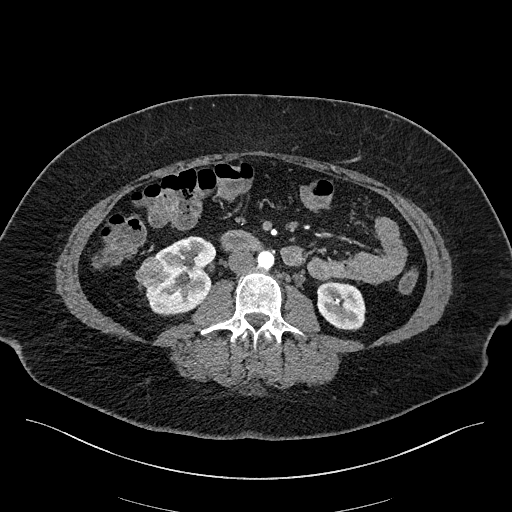
Axial slice 76 of 270 of a contrast-enhanced abdominal CT in the arterial phase (slice 1 is the lowest), 100 kVp, kernel I40f; 2.00 mm slice thickness and 0.855 mm pixels.
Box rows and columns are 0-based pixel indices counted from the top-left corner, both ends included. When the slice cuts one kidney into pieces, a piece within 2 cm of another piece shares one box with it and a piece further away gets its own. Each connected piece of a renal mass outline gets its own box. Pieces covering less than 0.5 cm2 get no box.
Two kidney boxes and one renal mass box on this slice; by box centre, from the image's left to its right: (1) Right renal mass at rows 257–287, columns 135–170 (outlined area 742 px, about 5.4 cm2). (2) Box rows 236–315, columns 146–216: right kidney (outlined area 3,744 px, about 27.4 cm2). (3) Left kidney at rows 281–330, columns 317–365 (outlined area 1,949 px, about 14.3 cm2).